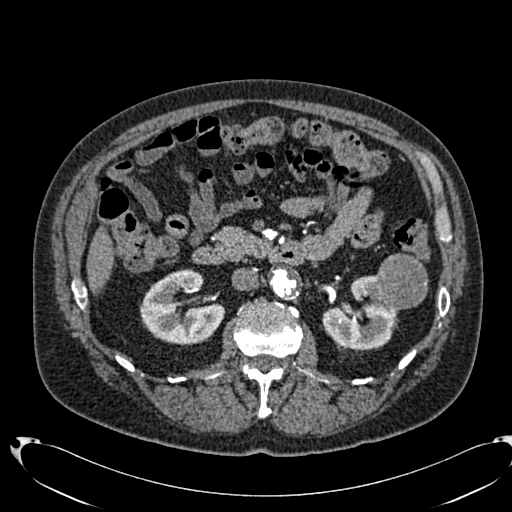
Abdominal CT with intravenous contrast, arterial phase, axial plane, 120 kVp, kernel B20f. Slice 416/553 from the bottom of the scan; thickness 1.00 mm; pixel size 0.773 mm.
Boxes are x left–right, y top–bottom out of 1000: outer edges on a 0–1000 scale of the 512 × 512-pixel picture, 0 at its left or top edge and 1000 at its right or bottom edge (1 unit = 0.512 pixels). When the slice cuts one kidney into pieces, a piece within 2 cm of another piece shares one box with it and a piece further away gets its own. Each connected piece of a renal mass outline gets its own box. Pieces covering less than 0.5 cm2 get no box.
Three boxes on this slice (two kidney boxes and one renal mass box), listed by box centre from the image's left to its right. (1) Box x 271–441, y 525–676 out of 1000: right kidney (outlined area 4,445 px, about 26.6 cm2). (2) Left kidney at x 629–779, y 537–686 out of 1000 (outlined area 3,351 px, about 20.0 cm2). (3) Box x 730–838, y 494–605 out of 1000: left renal mass (outlined area 2,461 px, about 14.7 cm2).